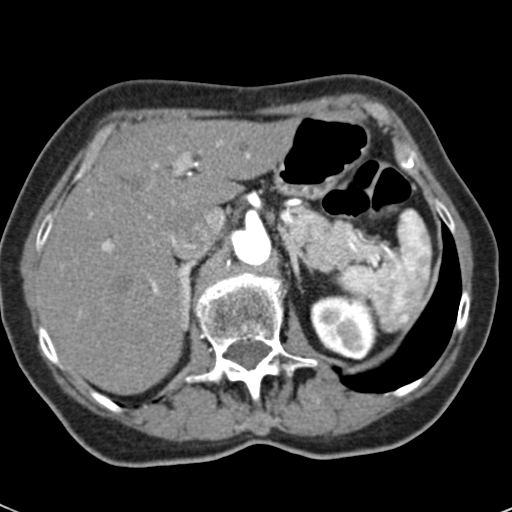
Arterial-phase contrast-enhanced abdominal CT, axial slice 45 of 53 (counted from the lowest slice); tube voltage 120 kVp, convolution kernel B30f; slices 3.00 mm thick, 0.547 mm per pixel.
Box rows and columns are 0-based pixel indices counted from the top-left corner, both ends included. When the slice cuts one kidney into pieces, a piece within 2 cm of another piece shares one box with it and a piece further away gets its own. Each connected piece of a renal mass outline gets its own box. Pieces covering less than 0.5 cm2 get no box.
Box rows 295–359, columns 310–377: left kidney (outlined area 3,405 px, about 10.2 cm2). No renal mass is outlined on this slice.